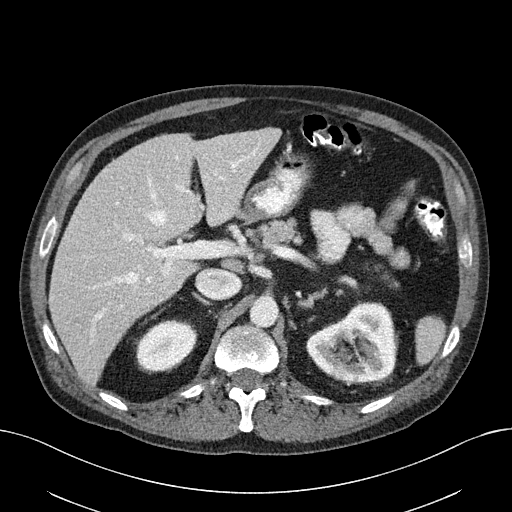
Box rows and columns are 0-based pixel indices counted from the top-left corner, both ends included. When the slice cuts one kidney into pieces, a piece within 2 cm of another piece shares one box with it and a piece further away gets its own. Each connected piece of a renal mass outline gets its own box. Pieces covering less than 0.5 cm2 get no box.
Slice 125/163 of a contrast-enhanced abdominal CT, counting up from the lowest; pixel size 0.799 mm, slice thickness 3.00 mm. Two kidney boxes on this slice; by box centre, from the image's left to its right: (1) Box rows 320–372, columns 136–196: right kidney (outlined area 2,400 px, about 15.3 cm2). (2) Left kidney, box rows 302–384, columns 306–397 (outlined area 5,441 px, about 34.7 cm2). This slice carries no renal mass outline.
Tube voltage 100 kVp; convolution kernel I40f.